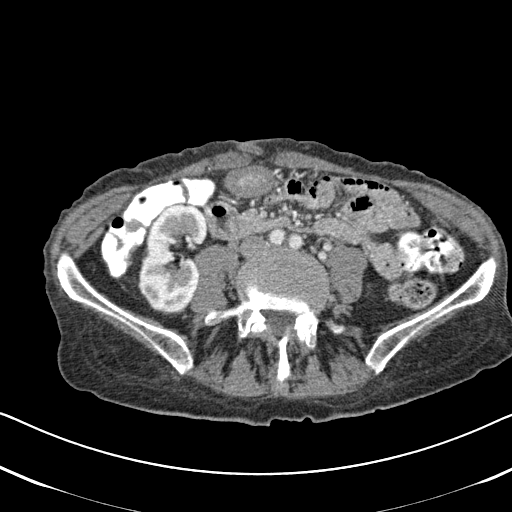
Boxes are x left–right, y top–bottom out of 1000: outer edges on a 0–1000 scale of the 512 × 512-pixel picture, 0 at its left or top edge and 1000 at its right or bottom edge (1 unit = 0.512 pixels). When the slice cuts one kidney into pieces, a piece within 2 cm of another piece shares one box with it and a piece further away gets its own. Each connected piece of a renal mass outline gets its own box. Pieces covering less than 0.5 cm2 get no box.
Arterial-phase contrast-enhanced abdominal CT, axial slice 235 of 620 (counted from the lowest slice); 2.00 mm thick, 0.637 mm per pixel. Right kidney, box x 266–408, y 398–615 out of 1000 (outlined area 5,812 px, about 23.6 cm2). This slice carries no renal mass outline.
Acquired at 120 kVp and reconstructed with the B31f kernel.